Abdominal CT with intravenous contrast, arterial phase, axial plane, 120 kVp, kernel I30f. Slice 372/527 from the bottom of the scan; thickness 1.00 mm; pixel size 0.859 mm.
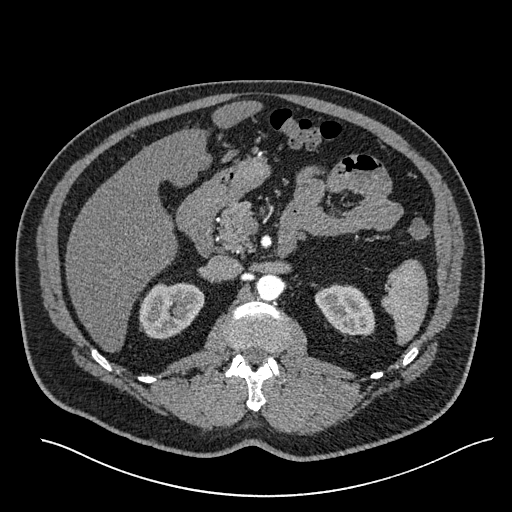
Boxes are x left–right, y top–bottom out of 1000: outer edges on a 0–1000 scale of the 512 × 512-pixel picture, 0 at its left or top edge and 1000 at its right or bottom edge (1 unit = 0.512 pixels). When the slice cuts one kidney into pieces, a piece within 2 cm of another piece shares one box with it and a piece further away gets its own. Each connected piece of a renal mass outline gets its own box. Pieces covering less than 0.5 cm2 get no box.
Boxed on this slice (two kidney boxes), listed by box centre from the image's left to its right: (1) Right kidney, box x 271–400, y 551–664 out of 1000 (outlined area 2,852 px, about 21.1 cm2). (2) Left kidney at x 613–734, y 555–658 out of 1000 (outlined area 2,314 px, about 17.1 cm2). No renal mass outline on this slice.